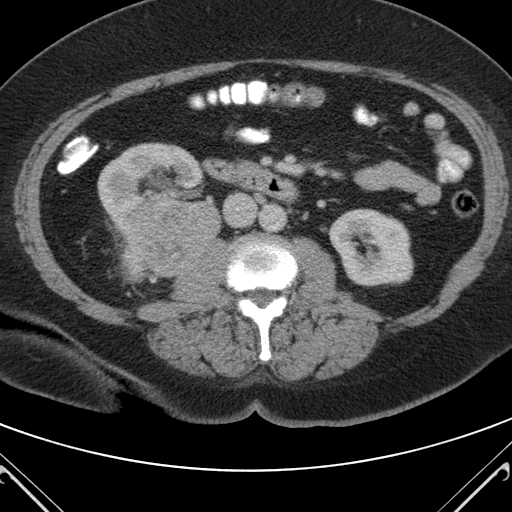
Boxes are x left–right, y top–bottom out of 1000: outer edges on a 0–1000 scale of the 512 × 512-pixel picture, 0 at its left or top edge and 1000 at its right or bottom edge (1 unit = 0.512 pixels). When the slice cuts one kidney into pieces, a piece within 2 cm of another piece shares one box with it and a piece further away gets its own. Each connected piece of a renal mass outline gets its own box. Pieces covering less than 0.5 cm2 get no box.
Arterial-phase contrast-enhanced abdominal CT, axial slice 58 of 98 (counted from the lowest slice); 5.00 mm thick, 0.703 mm per pixel. Three boxes on this slice (two kidney boxes and one renal mass box), listed by box centre from the image's left to its right. (1) Right kidney, box x 189–424, y 277–461 out of 1000 (outlined area 5,945 px, about 29.4 cm2). (2) Right renal mass, box x 236–436, y 383–557 out of 1000 (outlined area 6,600 px, about 32.6 cm2). (3) Left kidney, box x 641–811, y 406–561 out of 1000 (outlined area 5,165 px, about 25.5 cm2).
Acquired at 120 kVp and reconstructed with the B kernel.